Axial slice 405 of 787 of a contrast-enhanced abdominal CT (slice 1 is the lowest), 140 kVp, kernel I30f; 1.00 mm slice thickness and 0.910 mm pixels.
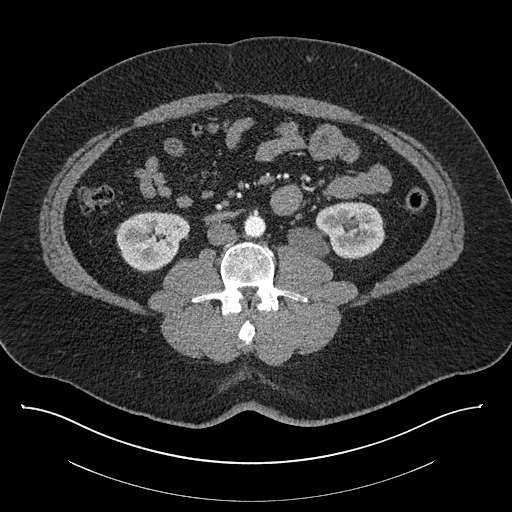
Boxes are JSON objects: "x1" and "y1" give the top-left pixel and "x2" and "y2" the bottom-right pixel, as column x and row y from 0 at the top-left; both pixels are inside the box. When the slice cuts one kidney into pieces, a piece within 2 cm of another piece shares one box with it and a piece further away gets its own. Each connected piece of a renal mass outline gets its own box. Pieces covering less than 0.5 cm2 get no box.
Boxed on this slice (two kidney boxes), listed by box centre from the image's left to its right: (1) Box {"x1": 116, "y1": 211, "x2": 190, "y2": 271}: right kidney (outlined area 3,351 px, about 27.8 cm2). (2) Box {"x1": 287, "y1": 201, "x2": 384, "y2": 258}: left kidney (outlined area 3,980 px, about 33.0 cm2). No renal mass outline on this slice.